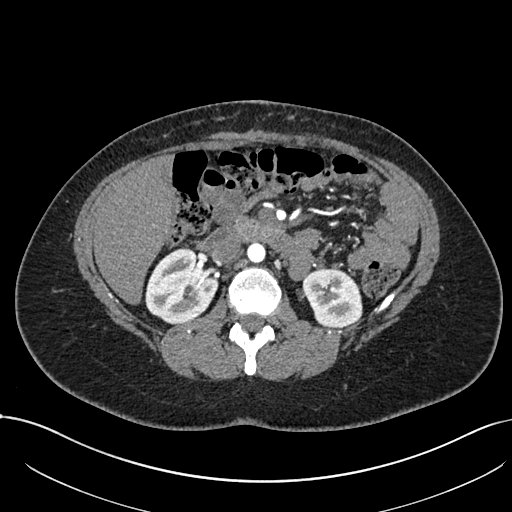
Arterial-phase contrast-enhanced abdominal CT, axial slice 425 of 738 (counted from the lowest slice); tube voltage 120 kVp, convolution kernel I30f; slices 1.00 mm thick, 0.789 mm per pixel.
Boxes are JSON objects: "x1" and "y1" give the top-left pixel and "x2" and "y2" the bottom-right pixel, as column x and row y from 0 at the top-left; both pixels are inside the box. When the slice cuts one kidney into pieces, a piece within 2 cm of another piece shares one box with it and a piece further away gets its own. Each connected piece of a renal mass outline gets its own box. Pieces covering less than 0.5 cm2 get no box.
Two boxes on this slice (two kidney boxes), listed by box centre from the image's left to its right. (1) Right kidney, box {"x1": 145, "y1": 248, "x2": 218, "y2": 324} (outlined area 4,081 px, about 25.4 cm2). (2) Left kidney, box {"x1": 302, "y1": 268, "x2": 362, "y2": 328} (outlined area 2,825 px, about 17.6 cm2). No renal mass outline on this slice.